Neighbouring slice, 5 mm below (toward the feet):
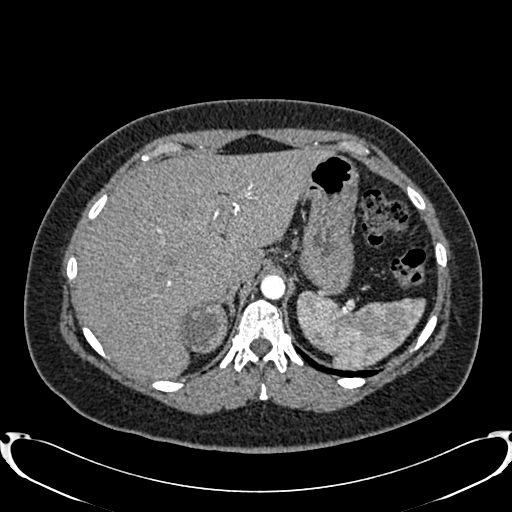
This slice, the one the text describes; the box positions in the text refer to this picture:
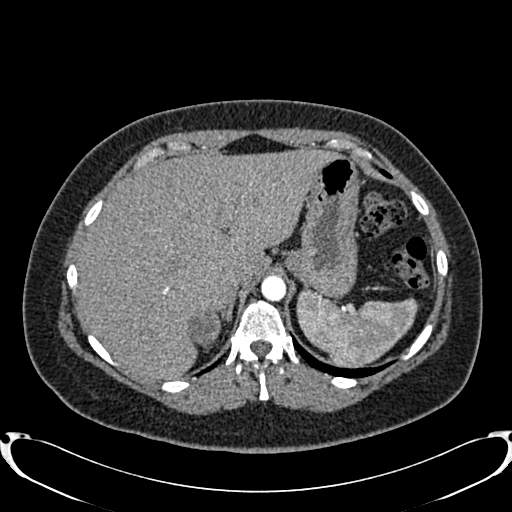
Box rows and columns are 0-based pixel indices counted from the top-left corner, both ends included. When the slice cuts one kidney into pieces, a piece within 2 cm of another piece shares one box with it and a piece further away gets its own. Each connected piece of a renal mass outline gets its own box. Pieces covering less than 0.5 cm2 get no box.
Arterial-phase contrast-enhanced abdominal CT, axial slice 638 of 719 (counted from the lowest slice); 1.00 mm thick, 0.766 mm per pixel. Right renal mass, box rows 307–350, columns 188–220 (outlined area 1,027 px, about 6.0 cm2); this slice has no kidney outline, though on another slice the same outlined renal mass lies within 1 cm of the kidney. This slice lies near the end of the right renal mass toward the head; the slice 5 mm below it is shown too, and the boxes mark positions on this slice only.
Tube voltage 120 kVp; convolution kernel B20f.